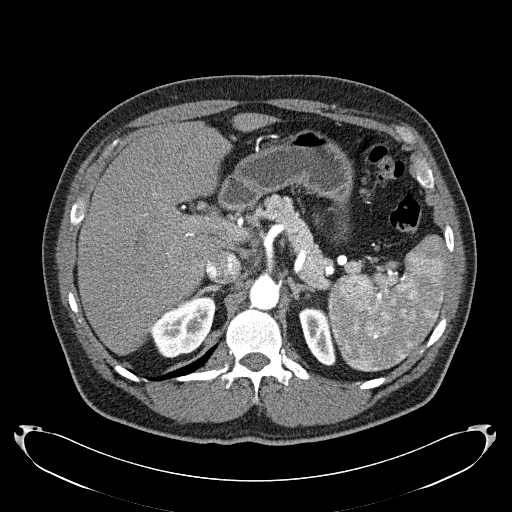
Axial slice 164 of 279 of a contrast-enhanced abdominal CT in the arterial phase (slice 1 is the lowest), 120 kVp, kernel B31f; 2.00 mm slice thickness and 0.824 mm pixels.
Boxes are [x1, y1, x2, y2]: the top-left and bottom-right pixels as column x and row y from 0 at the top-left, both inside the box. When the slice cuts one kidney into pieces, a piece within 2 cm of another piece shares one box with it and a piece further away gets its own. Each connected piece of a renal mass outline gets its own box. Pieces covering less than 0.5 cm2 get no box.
Two kidney boxes on this slice; by box centre, from the image's left to its right: (1) Right kidney at [150, 296, 215, 358] (outlined area 2,690 px, about 18.3 cm2). (2) Left kidney, box [298, 307, 335, 364] (outlined area 1,451 px, about 9.9 cm2). No renal mass is outlined on this slice.